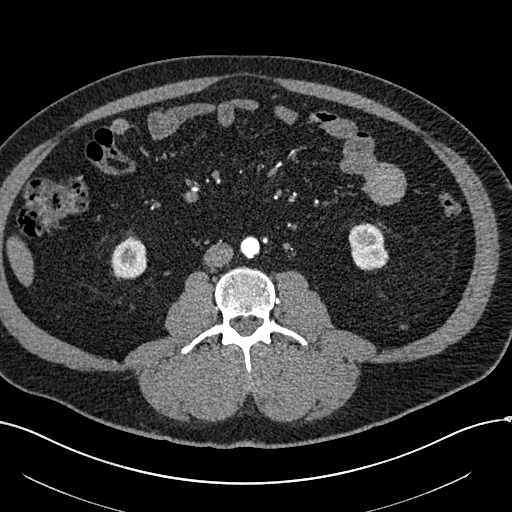
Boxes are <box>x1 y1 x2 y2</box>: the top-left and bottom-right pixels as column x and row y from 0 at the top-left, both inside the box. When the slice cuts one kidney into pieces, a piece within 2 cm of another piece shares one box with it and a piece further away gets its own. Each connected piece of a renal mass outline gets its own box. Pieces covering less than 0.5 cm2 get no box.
This is axial slice 221 of 602 (slice 1 is the lowest) of an arterial-phase abdominal CT with contrast; each pixel is 0.799 mm and the slice is 1.00 mm thick. Boxed on this slice (two kidney boxes), listed by box centre from the image's left to its right: (1) At <box>110 235 147 279</box>: right kidney (outlined area 1,260 px, about 8.0 cm2). (2) At <box>348 223 388 270</box>: left kidney (outlined area 1,502 px, about 9.6 cm2). No renal mass outline on this slice.
Acquired at 120 kVp and reconstructed with the I30f kernel.